Contrast-enhanced abdominal CT, axial slice 60 of 103 (counted from the lowest slice); tube voltage 120 kVp, convolution kernel B31f; slices 5.00 mm thick, 0.801 mm per pixel.
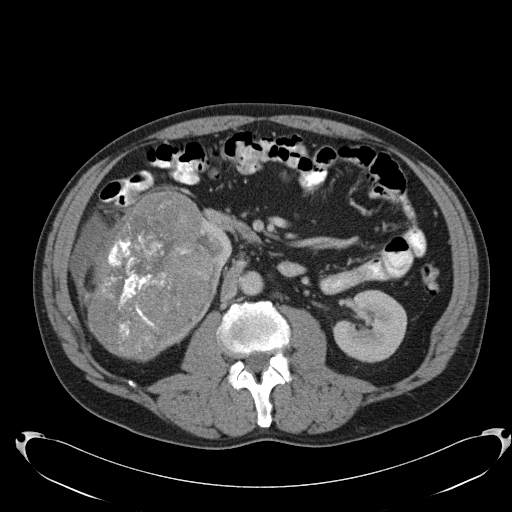
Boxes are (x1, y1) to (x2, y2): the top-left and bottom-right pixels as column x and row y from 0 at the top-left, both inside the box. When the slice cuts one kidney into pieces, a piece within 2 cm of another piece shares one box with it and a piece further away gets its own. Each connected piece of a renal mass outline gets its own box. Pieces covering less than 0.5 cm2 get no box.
Three boxes on this slice (two kidney boxes and one renal mass box), listed by box centre from the image's left to its right. (1) Right renal mass from (86, 190) to (213, 362) (outlined area 16,406 px, about 105.2 cm2). (2) Box (200, 211) to (231, 296): right kidney (outlined area 995 px, about 6.4 cm2). (3) Left kidney, box (331, 289) to (407, 362) (outlined area 3,988 px, about 25.6 cm2).